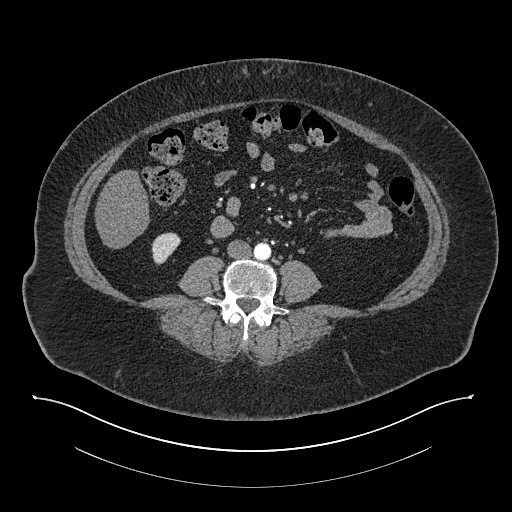
Axial slice 333 of 673 of a contrast-enhanced abdominal CT in the arterial phase (slice 1 is the lowest), 140 kVp, kernel I30f; 1.00 mm slice thickness and 0.957 mm pixels.
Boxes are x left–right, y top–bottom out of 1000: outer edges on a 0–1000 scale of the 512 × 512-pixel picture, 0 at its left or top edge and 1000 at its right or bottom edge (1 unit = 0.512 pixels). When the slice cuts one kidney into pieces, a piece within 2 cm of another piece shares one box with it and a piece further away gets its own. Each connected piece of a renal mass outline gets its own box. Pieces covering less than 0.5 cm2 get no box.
Right kidney, box x 295–354, y 453–518 out of 1000 (outlined area 662 px, about 6.1 cm2). No renal mass is outlined on this slice.